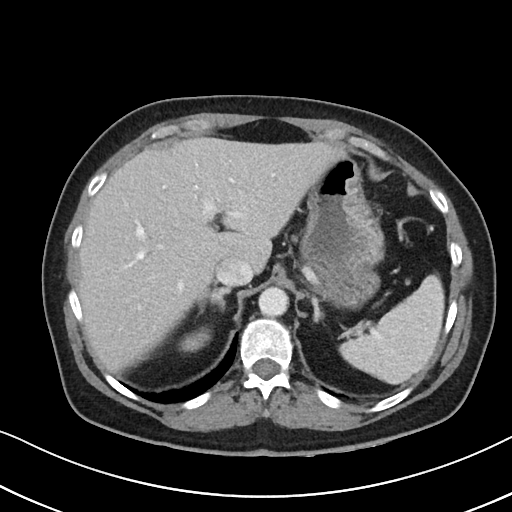
Axial slice 72 of 88 of a contrast-enhanced abdominal CT (slice 1 is the lowest), 100 kVp, kernel I40f; 5.00 mm slice thickness and 0.674 mm pixels.
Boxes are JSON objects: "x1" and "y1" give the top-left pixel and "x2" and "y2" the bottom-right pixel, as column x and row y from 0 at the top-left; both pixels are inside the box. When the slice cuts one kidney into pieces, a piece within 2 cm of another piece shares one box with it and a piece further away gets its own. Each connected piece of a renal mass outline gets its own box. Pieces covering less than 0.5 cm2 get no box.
Box {"x1": 178, "y1": 327, "x2": 211, "y2": 352}: right kidney (outlined area 565 px, about 2.6 cm2). No renal mass is outlined on this slice.